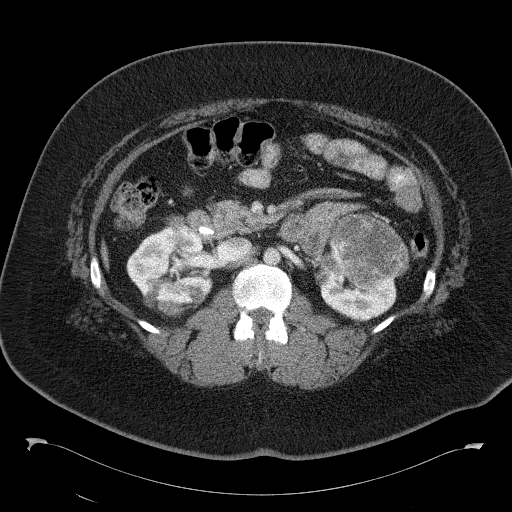
Axial slice 76 of 146 of a contrast-enhanced abdominal CT (slice 1 is the lowest), 120 kVp, kernel B41f; 5.00 mm slice thickness and 0.840 mm pixels.
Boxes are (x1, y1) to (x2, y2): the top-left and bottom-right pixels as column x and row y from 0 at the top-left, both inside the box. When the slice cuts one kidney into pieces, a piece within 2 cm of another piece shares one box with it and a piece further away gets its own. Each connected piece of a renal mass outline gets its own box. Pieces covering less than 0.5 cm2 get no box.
Seven boxes on this slice (two kidney boxes and five renal mass boxes), listed by box centre from the image's left to its right. (1) Renal mass, box (142, 241) to (160, 258) (outlined area 261 px, about 1.8 cm2). (2) Box (126, 218) to (211, 307): kidney (outlined area 4,600 px, about 32.4 cm2). (3) Renal mass from (158, 296) to (181, 315) (outlined area 370 px, about 2.6 cm2). (4) Renal mass, box (168, 214) to (184, 228) (outlined area 207 px, about 1.5 cm2). (5) Renal mass, box (185, 284) to (204, 301) (outlined area 252 px, about 1.8 cm2). (6) Kidney from (314, 250) to (396, 323) (outlined area 2,838 px, about 20.0 cm2). (7) Renal mass from (329, 213) to (409, 289) (outlined area 4,515 px, about 31.8 cm2).